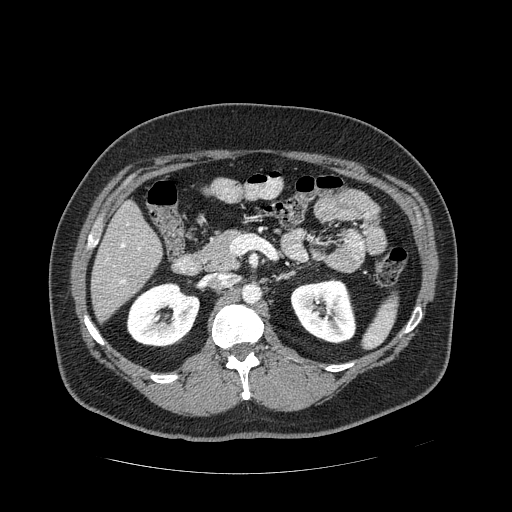
Axial slice 267 of 389 of a contrast-enhanced abdominal CT in the arterial phase (slice 1 is the lowest), 120 kVp, kernel STANDARD; 1.25 mm slice thickness and 0.869 mm pixels.
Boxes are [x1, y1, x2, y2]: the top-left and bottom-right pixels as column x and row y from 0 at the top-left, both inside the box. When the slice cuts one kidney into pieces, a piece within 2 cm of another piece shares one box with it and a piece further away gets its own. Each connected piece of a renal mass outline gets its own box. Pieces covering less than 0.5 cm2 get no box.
Boxed on this slice (two kidney boxes), listed by box centre from the image's left to its right: (1) Box [126, 282, 199, 347]: right kidney (outlined area 3,571 px, about 27.0 cm2). (2) Left kidney at [290, 278, 356, 343] (outlined area 3,271 px, about 24.7 cm2). No renal mass outline on this slice.